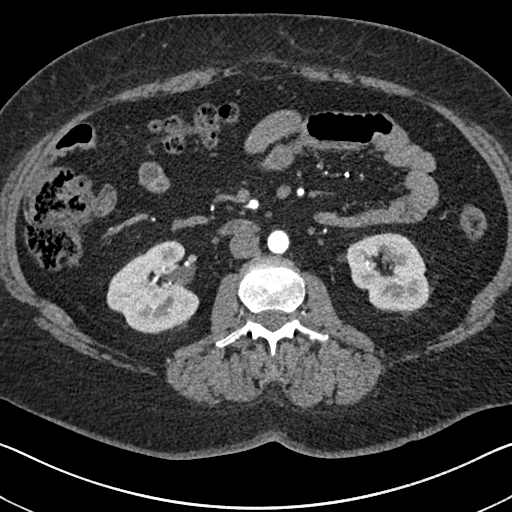
One axial slice (361 of 591, counting up from the lowest) of an arterial-phase abdominal CT acquired with 140 kVp, kernel I30f; each pixel is 0.703 mm and the slice is 1.00 mm thick.
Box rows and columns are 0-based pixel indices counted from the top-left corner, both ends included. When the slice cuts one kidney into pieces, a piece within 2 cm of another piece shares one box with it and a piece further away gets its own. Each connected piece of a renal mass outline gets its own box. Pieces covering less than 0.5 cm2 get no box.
Two boxes on this slice (two kidney boxes), listed by box centre from the image's left to its right. (1) Right kidney, box rows 240–333, columns 106–199 (outlined area 6,123 px, about 30.3 cm2). (2) Box rows 232–312, columns 346–430: left kidney (outlined area 4,963 px, about 24.5 cm2). No renal mass is outlined on this slice.